Abdominal CT with intravenous contrast, axial plane, 120 kVp, kernel FC13. Slice 96/159 from the bottom of the scan; thickness 3.00 mm; pixel size 0.668 mm.
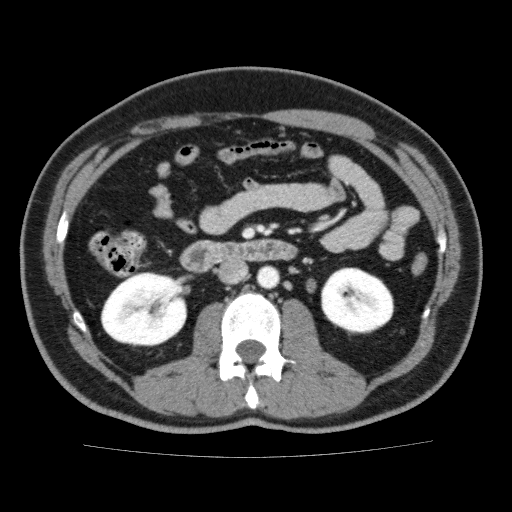
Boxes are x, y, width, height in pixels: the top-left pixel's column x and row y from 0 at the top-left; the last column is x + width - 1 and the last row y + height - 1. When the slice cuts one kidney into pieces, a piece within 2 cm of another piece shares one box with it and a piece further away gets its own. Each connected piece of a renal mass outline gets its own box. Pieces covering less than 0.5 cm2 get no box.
Two boxes on this slice (two kidney boxes), listed by box centre from the image's left to its right. (1) Right kidney at x 100, y 270, width 88, height 77 (outlined area 5,168 px, about 23.1 cm2). (2) Left kidney, box x 320, y 267, width 75, height 68 (outlined area 3,844 px, about 17.2 cm2). No renal mass is outlined on this slice.